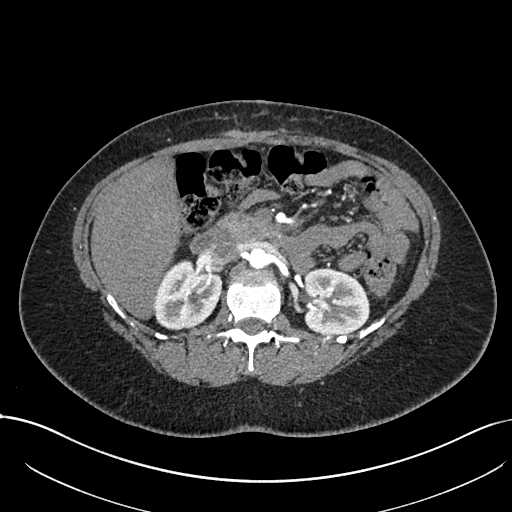
Axial slice 449 of 738 of a contrast-enhanced abdominal CT in the arterial phase (slice 1 is the lowest), 120 kVp, kernel I30f; 1.00 mm slice thickness and 0.789 mm pixels.
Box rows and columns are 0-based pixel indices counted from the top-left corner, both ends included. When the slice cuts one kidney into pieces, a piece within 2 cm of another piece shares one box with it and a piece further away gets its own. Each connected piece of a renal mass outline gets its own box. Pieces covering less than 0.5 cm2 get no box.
Boxed on this slice (two kidney boxes), listed by box centre from the image's left to its right: (1) Box rows 258–330, columns 154–222: right kidney (outlined area 3,707 px, about 23.1 cm2). (2) Left kidney at rows 268–335, columns 303–369 (outlined area 3,725 px, about 23.2 cm2). No renal mass is outlined on this slice.